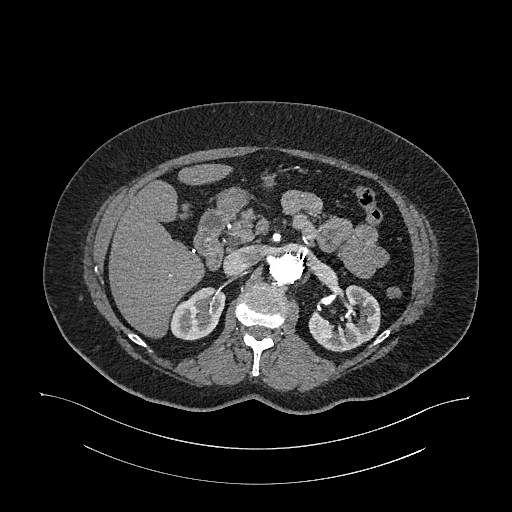
One axial slice (700 of 987, counting up from the lowest) of an arterial-phase abdominal CT acquired with 120 kVp, kernel I26f; each pixel is 0.977 mm and the slice is 1.00 mm thick.
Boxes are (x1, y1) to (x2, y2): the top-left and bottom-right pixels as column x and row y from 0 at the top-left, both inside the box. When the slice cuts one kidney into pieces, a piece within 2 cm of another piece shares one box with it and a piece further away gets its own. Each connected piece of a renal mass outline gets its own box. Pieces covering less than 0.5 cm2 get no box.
Two boxes on this slice (two kidney boxes), listed by box centre from the image's left to its right. (1) Box (170, 287) to (225, 340): right kidney (outlined area 2,139 px, about 20.4 cm2). (2) Left kidney, box (308, 285) to (380, 352) (outlined area 3,065 px, about 29.2 cm2). This slice carries no renal mass outline.